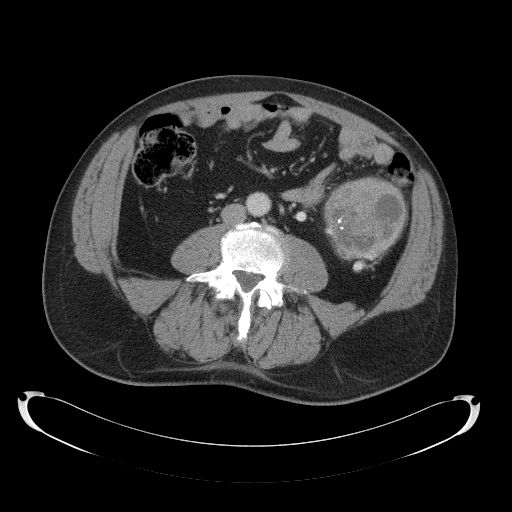
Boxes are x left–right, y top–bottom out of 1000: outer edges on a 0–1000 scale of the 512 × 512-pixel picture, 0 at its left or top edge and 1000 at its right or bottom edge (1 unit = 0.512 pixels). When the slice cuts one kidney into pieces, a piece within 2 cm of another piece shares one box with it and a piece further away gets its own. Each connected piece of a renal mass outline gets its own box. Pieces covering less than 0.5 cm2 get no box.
Slice 55/145 of a contrast-enhanced abdominal CT, counting up from the lowest; pixel size 0.859 mm, slice thickness 5.00 mm. Left renal mass, box x 631–797, y 344–533 out of 1000 (outlined area 5,925 px, about 43.8 cm2); this slice has no kidney outline, though on another slice the same outlined renal mass lies within 1 cm of the kidney.
Tube voltage 120 kVp; convolution kernel B41f.